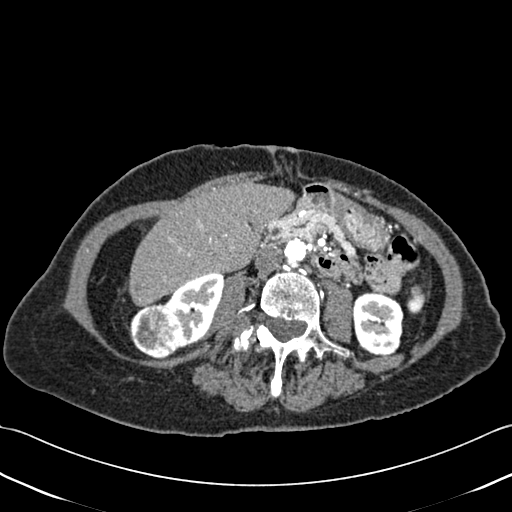
Abdominal CT with intravenous contrast, axial plane, 120 kVp, kernel B30f. Slice 195/433 from the bottom of the scan; thickness 1.00 mm; pixel size 0.672 mm.
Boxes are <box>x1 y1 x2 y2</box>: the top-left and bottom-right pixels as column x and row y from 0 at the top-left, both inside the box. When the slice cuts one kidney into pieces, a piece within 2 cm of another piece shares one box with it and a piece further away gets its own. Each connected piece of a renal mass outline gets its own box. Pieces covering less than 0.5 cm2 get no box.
Two kidney boxes and one renal mass box on this slice; by box centre, from the image's left to its right: (1) Right renal mass at <box>128 302 182 359</box> (outlined area 2,288 px, about 10.3 cm2). (2) Right kidney at <box>163 272 224 348</box> (outlined area 2,662 px, about 12.0 cm2). (3) Left kidney: <box>352 292 403 355</box> (outlined area 2,731 px, about 12.3 cm2).